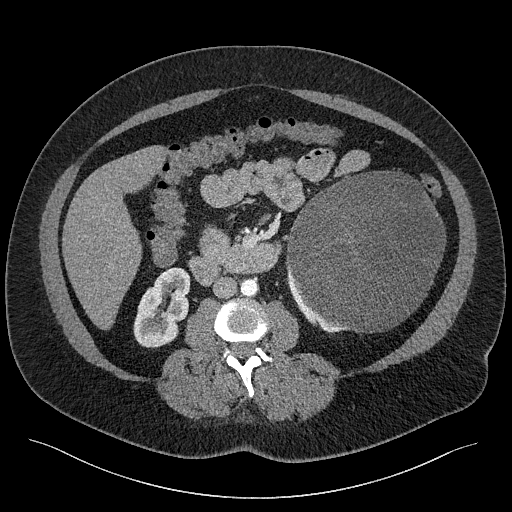
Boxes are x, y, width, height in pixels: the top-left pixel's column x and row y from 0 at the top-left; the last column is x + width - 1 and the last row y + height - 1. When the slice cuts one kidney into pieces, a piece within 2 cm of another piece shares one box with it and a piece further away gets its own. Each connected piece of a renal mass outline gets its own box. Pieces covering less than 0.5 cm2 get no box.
This is axial slice 108 of 301 (slice 1 is the lowest) of an abdominal CT with contrast; each pixel is 0.859 mm and the slice is 2.00 mm thick. Two kidney boxes and one renal mass box on this slice; by box centre, from the image's left to its right: (1) Right kidney at x 133, y 267, width 58, height 81 (outlined area 3,272 px, about 24.2 cm2). (2) Left kidney at x 286, y 266, width 63, height 68 (outlined area 543 px, about 4.0 cm2). (3) Left renal mass at x 285, y 171, width 161, height 162 (outlined area 19,878 px, about 146.8 cm2).
Tube voltage 120 kVp; convolution kernel I40f.